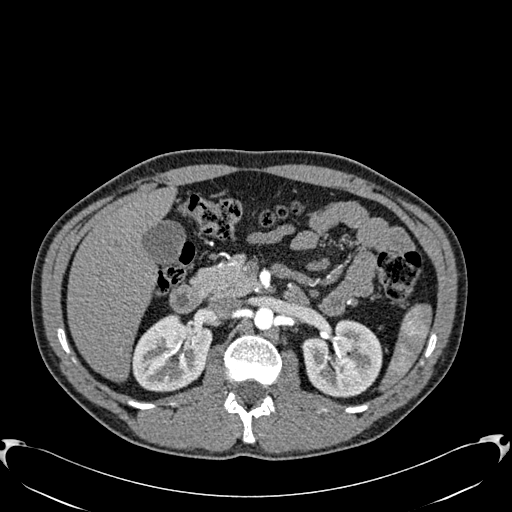
Abdominal CT with intravenous contrast, arterial phase, axial plane, 120 kVp, kernel B30f. Slice 380/512 from the bottom of the scan; thickness 1.00 mm; pixel size 0.771 mm.
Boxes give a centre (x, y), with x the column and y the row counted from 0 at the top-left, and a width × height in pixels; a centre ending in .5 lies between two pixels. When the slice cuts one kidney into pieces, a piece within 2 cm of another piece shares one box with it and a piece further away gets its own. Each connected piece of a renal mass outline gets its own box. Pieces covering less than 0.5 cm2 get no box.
Two kidney boxes on this slice; by box centre, from the image's left to its right: (1) Right kidney, box centre (171.5, 353), 82 × 79 pixels (outlined area 4,635 px, about 27.6 cm2). (2) Left kidney, box centre (342, 358), 81 × 79 pixels (outlined area 4,794 px, about 28.5 cm2). This slice carries no renal mass outline.